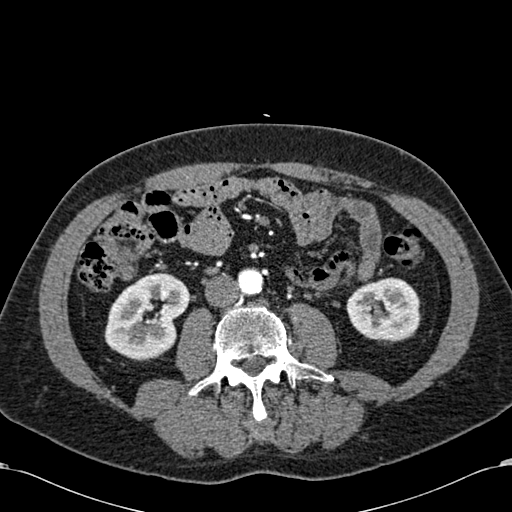
Abdominal CT with intravenous contrast, arterial phase, axial plane, 120 kVp, kernel B30f. Slice 263/581 from the bottom of the scan; thickness 1.00 mm; pixel size 0.713 mm.
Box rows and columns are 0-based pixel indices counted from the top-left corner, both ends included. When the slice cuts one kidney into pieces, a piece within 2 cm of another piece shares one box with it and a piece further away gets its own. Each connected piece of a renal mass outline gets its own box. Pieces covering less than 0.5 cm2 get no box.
Two boxes on this slice (two kidney boxes), listed by box centre from the image's left to its right. (1) Right kidney at rows 272–361, columns 104–191 (outlined area 5,356 px, about 27.2 cm2). (2) Left kidney at rows 277–341, columns 346–420 (outlined area 3,819 px, about 19.4 cm2). This slice carries no renal mass outline.